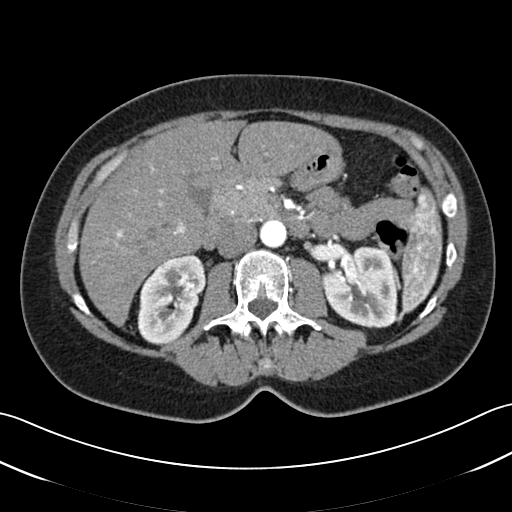
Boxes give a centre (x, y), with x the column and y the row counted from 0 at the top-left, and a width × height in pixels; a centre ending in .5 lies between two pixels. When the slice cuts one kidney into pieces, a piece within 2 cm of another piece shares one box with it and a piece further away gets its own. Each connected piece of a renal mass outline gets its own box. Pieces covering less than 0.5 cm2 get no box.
This is axial slice 23 of 52 (slice 1 is the lowest) of an arterial-phase abdominal CT with contrast; each pixel is 0.678 mm and the slice is 3.00 mm thick. Two boxes on this slice (two kidney boxes), listed by box centre from the image's left to its right. (1) Right kidney, box centre (171.5, 299.5), 70 × 92 pixels (outlined area 4,550 px, about 20.9 cm2). (2) Left kidney, box centre (360, 287), 77 × 83 pixels (outlined area 4,834 px, about 22.2 cm2). This slice carries no renal mass outline.
Acquired at 120 kVp and reconstructed with the B30f kernel.